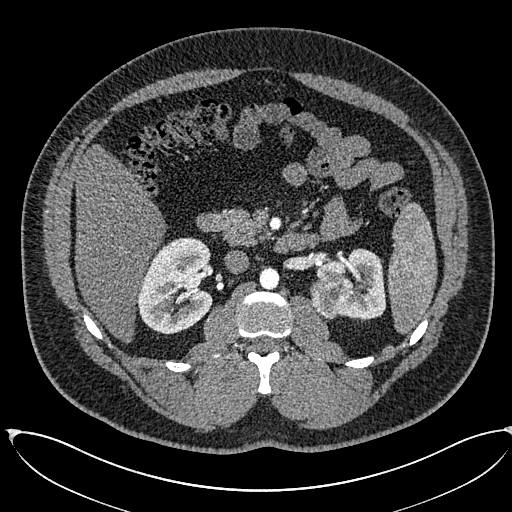
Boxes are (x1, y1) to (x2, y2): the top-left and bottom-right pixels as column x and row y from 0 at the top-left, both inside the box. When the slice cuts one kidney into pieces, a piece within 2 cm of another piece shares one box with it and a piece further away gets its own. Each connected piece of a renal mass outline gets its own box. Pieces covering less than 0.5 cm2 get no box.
Arterial-phase contrast-enhanced abdominal CT, axial slice 367 of 673 (counted from the lowest slice); 1.00 mm thick, 0.855 mm per pixel. Two kidney boxes and one renal mass box on this slice; by box centre, from the image's left to its right: (1) Right kidney, box (138, 237) to (213, 334) (outlined area 5,548 px, about 40.6 cm2). (2) Left renal mass, box (309, 276) to (353, 319) (outlined area 1,507 px, about 11.0 cm2). (3) Box (316, 248) to (386, 320): left kidney (outlined area 2,863 px, about 21.0 cm2).
Acquired at 120 kVp and reconstructed with the I30f kernel.